One axial slice (238 of 581, counting up from the lowest) of an arterial-phase abdominal CT acquired with 120 kVp, kernel B30f; each pixel is 0.713 mm and the slice is 1.00 mm thick.
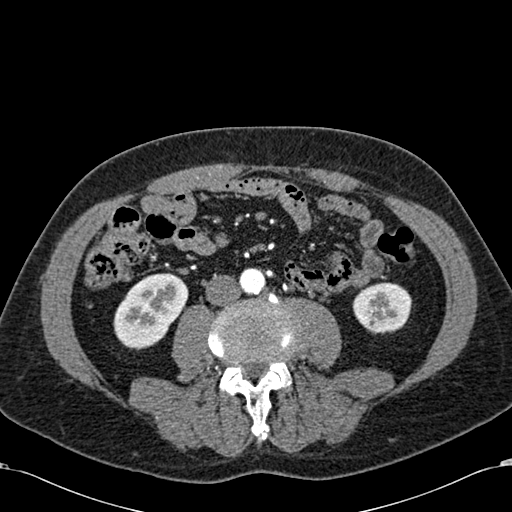
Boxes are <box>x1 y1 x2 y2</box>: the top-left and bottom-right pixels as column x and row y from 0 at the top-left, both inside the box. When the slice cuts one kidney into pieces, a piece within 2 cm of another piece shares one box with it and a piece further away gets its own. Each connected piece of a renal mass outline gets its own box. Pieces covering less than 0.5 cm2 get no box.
Two boxes on this slice (two kidney boxes), listed by box centre from the image's left to its right. (1) At <box>113 273 188 350</box>: right kidney (outlined area 4,015 px, about 20.4 cm2). (2) At <box>352 282 411 334</box>: left kidney (outlined area 2,409 px, about 12.2 cm2). No renal mass is outlined on this slice.